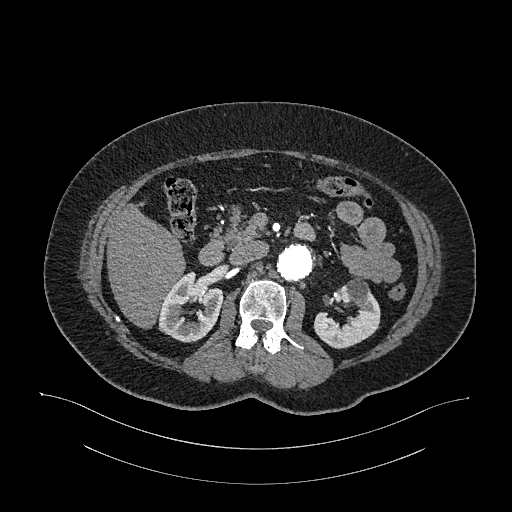
Arterial-phase contrast-enhanced abdominal CT, axial slice 666 of 987 (counted from the lowest slice); tube voltage 120 kVp, convolution kernel I26f; slices 1.00 mm thick, 0.977 mm per pixel.
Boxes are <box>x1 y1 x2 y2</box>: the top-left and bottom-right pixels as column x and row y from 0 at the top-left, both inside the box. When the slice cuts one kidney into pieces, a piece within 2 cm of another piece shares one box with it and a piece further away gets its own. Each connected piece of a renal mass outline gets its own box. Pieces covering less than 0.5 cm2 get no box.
Boxed on this slice (two kidney boxes), listed by box centre from the image's left to its right: (1) At <box>158 271 223 342</box>: right kidney (outlined area 3,165 px, about 30.2 cm2). (2) Left kidney at <box>313 275 380 348</box> (outlined area 2,883 px, about 27.5 cm2). No renal mass is outlined on this slice.